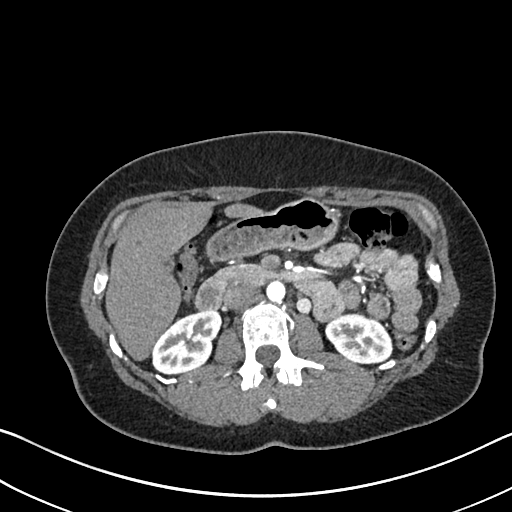
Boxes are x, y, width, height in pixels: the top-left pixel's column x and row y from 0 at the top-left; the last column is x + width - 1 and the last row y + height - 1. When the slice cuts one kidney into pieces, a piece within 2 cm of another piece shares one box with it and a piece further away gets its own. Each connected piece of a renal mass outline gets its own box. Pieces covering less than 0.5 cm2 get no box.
This is axial slice 406 of 612 (slice 1 is the lowest) of an arterial-phase abdominal CT with contrast; each pixel is 0.703 mm and the slice is 1.00 mm thick. Boxed on this slice (two kidney boxes), listed by box centre from the image's left to its right: (1) Right kidney at x 152, y 309, width 70, height 66 (outlined area 3,061 px, about 15.1 cm2). (2) Box x 325, y 313, width 68, height 51: left kidney (outlined area 2,539 px, about 12.6 cm2). This slice carries no renal mass outline.
Acquired at 120 kVp and reconstructed with the I30f kernel.